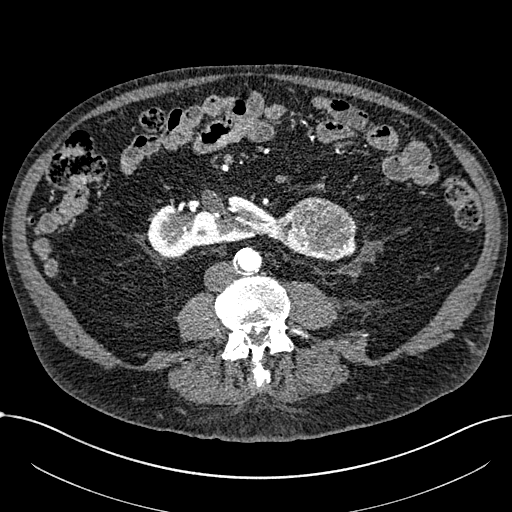
Axial slice 278 of 1059 of a contrast-enhanced abdominal CT in the arterial phase (slice 1 is the lowest), 100 kVp, kernel I30f; 1.00 mm slice thickness and 0.811 mm pixels.
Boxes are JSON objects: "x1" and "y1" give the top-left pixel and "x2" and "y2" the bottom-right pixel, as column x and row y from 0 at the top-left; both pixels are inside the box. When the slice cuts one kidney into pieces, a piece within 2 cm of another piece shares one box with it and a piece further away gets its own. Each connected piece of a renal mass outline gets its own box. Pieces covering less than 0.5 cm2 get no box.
Boxed on this slice (one kidney box and one renal mass box), listed by box centre from the image's left to its right: (1) Kidney crossing the body midline at {"x1": 148, "y1": 196, "x2": 297, "y2": 257} (outlined area 5,583 px, about 36.7 cm2). (2) Box {"x1": 284, "y1": 197, "x2": 357, "y2": 260}: renal mass (outlined area 3,643 px, about 23.9 cm2).